One axial slice (51 of 301, counting up from the lowest) of a contrast-enhanced abdominal CT acquired with 120 kVp, kernel I40f; each pixel is 0.859 mm and the slice is 2.00 mm thick.
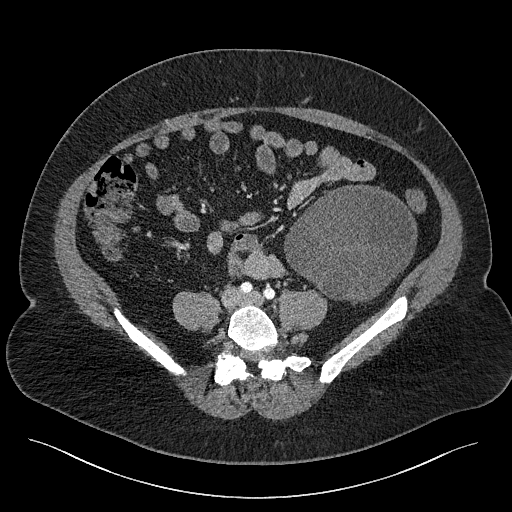
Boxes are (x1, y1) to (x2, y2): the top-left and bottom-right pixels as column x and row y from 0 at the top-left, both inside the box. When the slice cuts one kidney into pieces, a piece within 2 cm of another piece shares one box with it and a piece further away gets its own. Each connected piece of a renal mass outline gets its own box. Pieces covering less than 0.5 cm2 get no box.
Box (284, 184) to (417, 304): left renal mass (outlined area 11,480 px, about 84.8 cm2); no kidney is outlined on this slice, but the same outlined renal mass comes within 1 cm of the kidney on another slice.